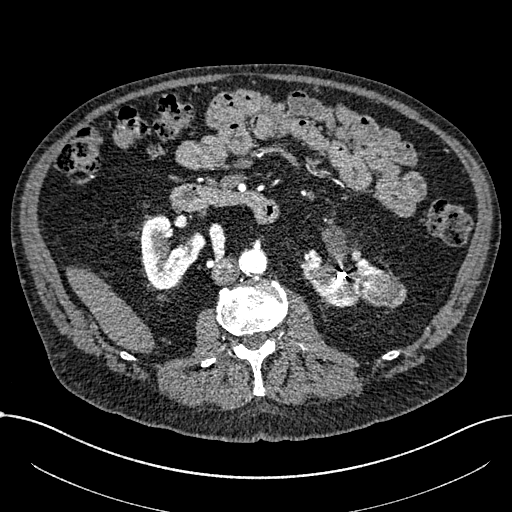
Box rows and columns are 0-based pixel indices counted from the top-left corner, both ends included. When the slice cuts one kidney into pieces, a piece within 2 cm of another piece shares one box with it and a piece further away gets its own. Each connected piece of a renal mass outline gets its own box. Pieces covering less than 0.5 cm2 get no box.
Slice 370/1059 of a contrast-enhanced abdominal CT in the arterial phase, counting up from the lowest; pixel size 0.811 mm, slice thickness 1.00 mm. Boxed on this slice (two kidney boxes and one renal mass box), listed by box centre from the image's left to its right: (1) Box rows 214–289, columns 141–205: right part of the midline-crossing kidney (outlined area 3,146 px, about 20.7 cm2). (2) Left part of the midline-crossing kidney at rows 248–307, columns 301–385 (outlined area 2,800 px, about 18.4 cm2). (3) Renal mass, box rows 273–308, columns 359–406 (outlined area 1,337 px, about 8.8 cm2).
Acquired at 100 kVp and reconstructed with the I30f kernel.